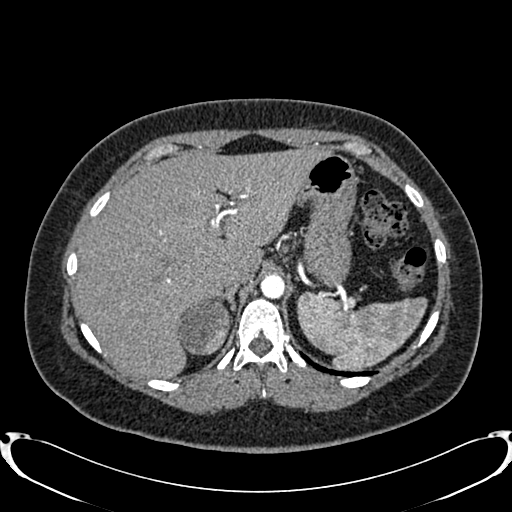
Abdominal CT with intravenous contrast, arterial phase, axial plane, 120 kVp, kernel B20f. Slice 623/719 from the bottom of the scan; thickness 1.00 mm; pixel size 0.766 mm.
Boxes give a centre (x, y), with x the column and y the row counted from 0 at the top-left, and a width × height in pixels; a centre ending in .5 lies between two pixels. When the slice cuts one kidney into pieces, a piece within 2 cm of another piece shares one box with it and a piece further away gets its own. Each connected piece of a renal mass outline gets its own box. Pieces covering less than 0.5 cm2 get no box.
Right renal mass in a box with centre (204, 326), 57 × 57 pixels (outlined area 2,387 px, about 14.0 cm2); no kidney outline appears on this slice, but the same outlined renal mass comes within 1 cm of the kidney on another slice.